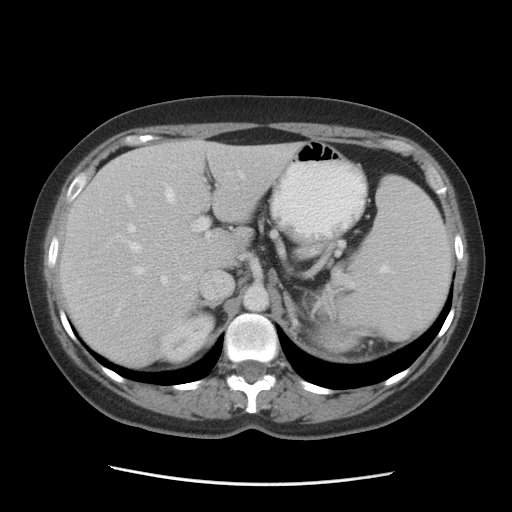
Axial slice 65 of 84 of a contrast-enhanced abdominal CT (slice 1 is the lowest), 140 kVp, kernel STANDARD; 5.00 mm slice thickness and 0.717 mm pixels.
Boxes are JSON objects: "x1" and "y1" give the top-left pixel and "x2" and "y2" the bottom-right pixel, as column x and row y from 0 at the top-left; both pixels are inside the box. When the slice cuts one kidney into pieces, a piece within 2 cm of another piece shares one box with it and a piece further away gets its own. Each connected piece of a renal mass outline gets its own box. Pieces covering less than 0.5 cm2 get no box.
Two boxes on this slice (two kidney boxes), listed by box centre from the image's left to its right. (1) Box {"x1": 159, "y1": 311, "x2": 215, "y2": 365}: right kidney (outlined area 1,828 px, about 9.4 cm2). (2) Box {"x1": 305, "y1": 322, "x2": 361, "y2": 351}: left kidney (outlined area 1,220 px, about 6.3 cm2). No renal mass outline on this slice.